Arterial-phase contrast-enhanced abdominal CT, axial slice 421 of 626 (counted from the lowest slice); tube voltage 120 kVp, convolution kernel I30f; slices 1.00 mm thick, 0.703 mm per pixel.
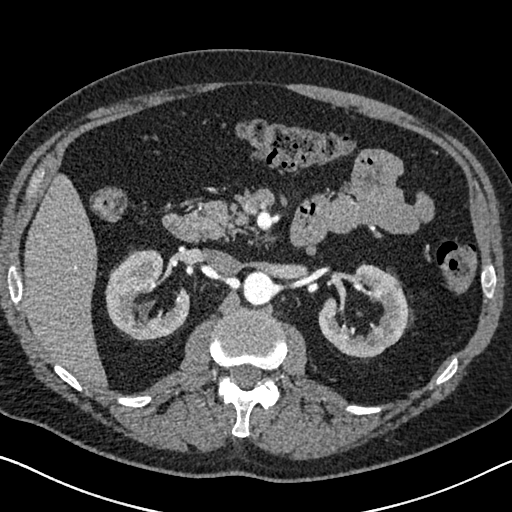
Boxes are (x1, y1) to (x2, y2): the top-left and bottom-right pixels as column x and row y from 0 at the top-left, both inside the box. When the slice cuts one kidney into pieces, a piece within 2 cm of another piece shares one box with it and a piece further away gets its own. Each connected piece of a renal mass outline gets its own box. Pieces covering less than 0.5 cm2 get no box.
Boxed on this slice (two kidney boxes), listed by box centre from the image's left to its right: (1) Right kidney, box (105, 249) to (190, 341) (outlined area 4,969 px, about 24.6 cm2). (2) Left kidney from (318, 264) to (408, 357) (outlined area 4,869 px, about 24.1 cm2). No renal mass is outlined on this slice.